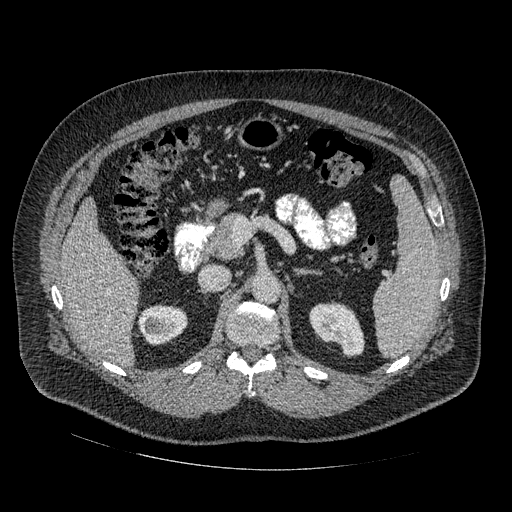
One axial slice (306 of 445, counting up from the lowest) of an arterial-phase abdominal CT acquired with 120 kVp, kernel STANDARD; each pixel is 0.863 mm and the slice is 1.25 mm thick.
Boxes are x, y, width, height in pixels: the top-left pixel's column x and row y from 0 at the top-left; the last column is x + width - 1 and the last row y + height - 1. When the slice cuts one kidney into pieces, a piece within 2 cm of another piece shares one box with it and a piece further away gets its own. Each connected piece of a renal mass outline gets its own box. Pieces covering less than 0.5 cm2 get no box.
Two kidney boxes on this slice; by box centre, from the image's left to its right: (1) Right kidney at x 138, y 306, width 51, height 39 (outlined area 1,524 px, about 11.4 cm2). (2) Box x 310, y 301, width 56, height 56: left kidney (outlined area 2,056 px, about 15.3 cm2). No renal mass outline on this slice.